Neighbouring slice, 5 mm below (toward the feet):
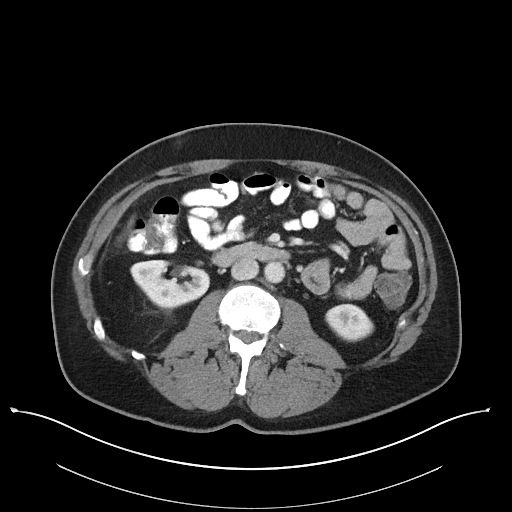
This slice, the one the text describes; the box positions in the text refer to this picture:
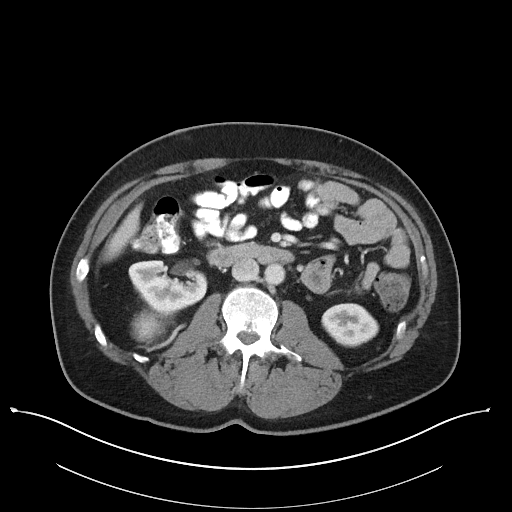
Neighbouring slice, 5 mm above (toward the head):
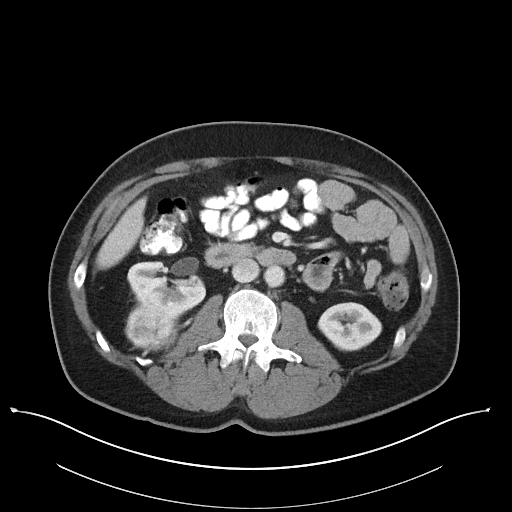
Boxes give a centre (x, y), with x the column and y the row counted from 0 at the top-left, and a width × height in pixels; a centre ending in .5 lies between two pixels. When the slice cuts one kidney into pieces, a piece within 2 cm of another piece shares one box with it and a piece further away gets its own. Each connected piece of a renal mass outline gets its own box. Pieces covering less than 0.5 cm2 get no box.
Slice 63/101 of a contrast-enhanced abdominal CT, counting up from the lowest; pixel size 0.879 mm, slice thickness 5.00 mm. Three boxes on this slice (two kidney boxes and one renal mass box), listed by box centre from the image's left to its right. (1) Right renal mass, box centre (146.5, 326.5), 30 × 32 pixels (outlined area 744 px, about 5.7 cm2). (2) Right kidney in a box with centre (167.5, 287), 80 × 55 pixels (outlined area 3,074 px, about 23.7 cm2). (3) Left kidney in a box with centre (349.5, 325), 58 × 45 pixels (outlined area 1,918 px, about 14.8 cm2). This slice lies near the end of the right renal mass toward the feet; the slices 5 mm below and 5 mm above it are shown too, and the boxes mark positions on this slice only.
Tube voltage 100 kVp; convolution kernel I40f.